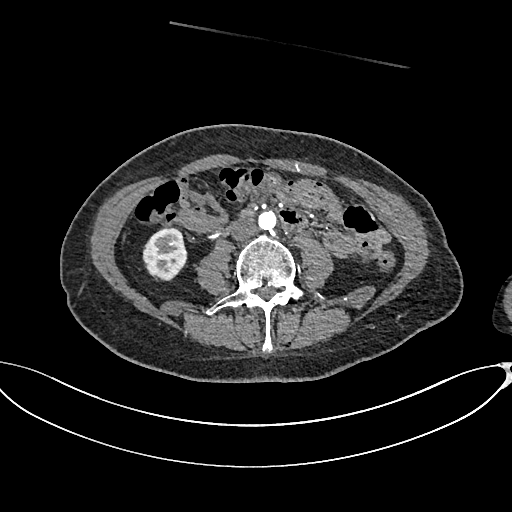
Arterial-phase contrast-enhanced abdominal CT, axial slice 297 of 665 (counted from the lowest slice); tube voltage 100 kVp, convolution kernel I26f; slices 1.00 mm thick, 0.828 mm per pixel.
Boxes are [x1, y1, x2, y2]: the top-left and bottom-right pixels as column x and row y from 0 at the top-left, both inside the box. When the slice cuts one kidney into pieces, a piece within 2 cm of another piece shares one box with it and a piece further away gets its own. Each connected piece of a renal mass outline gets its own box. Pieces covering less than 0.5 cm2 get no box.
Box [142, 227, 187, 280]: right kidney (outlined area 1,875 px, about 12.9 cm2). No renal mass is outlined on this slice.